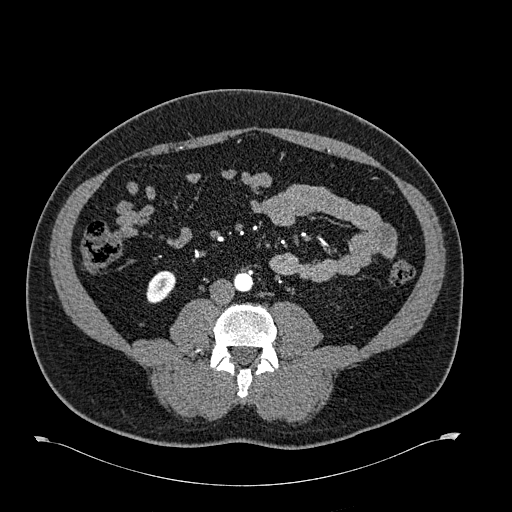
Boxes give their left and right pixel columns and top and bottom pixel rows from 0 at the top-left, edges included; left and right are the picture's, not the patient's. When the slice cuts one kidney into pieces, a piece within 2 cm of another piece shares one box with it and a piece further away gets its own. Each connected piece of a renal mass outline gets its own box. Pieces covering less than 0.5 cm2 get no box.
Arterial-phase contrast-enhanced abdominal CT, axial slice 257 of 723 (counted from the lowest slice); 1.00 mm thick, 0.895 mm per pixel. Box with left 146, top 270, right 175, bottom 303: right kidney (outlined area 720 px, about 5.8 cm2). This slice carries no renal mass outline.
Tube voltage 120 kVp; convolution kernel B30f.